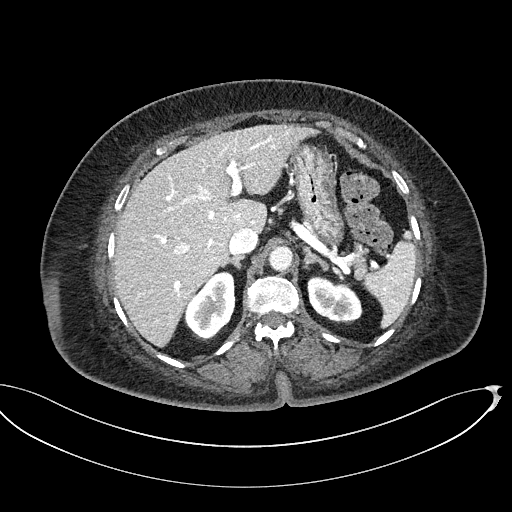
One axial slice (352 of 439, counting up from the lowest) of a contrast-enhanced abdominal CT acquired with 100 kVp, kernel I40f; each pixel is 0.850 mm and the slice is 2.00 mm thick.
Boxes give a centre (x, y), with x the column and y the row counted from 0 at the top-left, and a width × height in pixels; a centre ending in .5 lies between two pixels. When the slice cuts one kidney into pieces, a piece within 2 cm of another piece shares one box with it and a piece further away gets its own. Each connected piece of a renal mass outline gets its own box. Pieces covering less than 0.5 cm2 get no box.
Two kidney boxes on this slice; by box centre, from the image's left to its right: (1) Right kidney, box centre (210, 306), 51 × 71 pixels (outlined area 2,498 px, about 18.0 cm2). (2) Left kidney in a box with centre (334.5, 300), 56 × 49 pixels (outlined area 1,919 px, about 13.9 cm2). No renal mass is outlined on this slice.